Axial slice 28 of 53 of a contrast-enhanced abdominal CT in the arterial phase (slice 1 is the lowest), 120 kVp, kernel B30f; 3.00 mm slice thickness and 0.547 mm pixels.
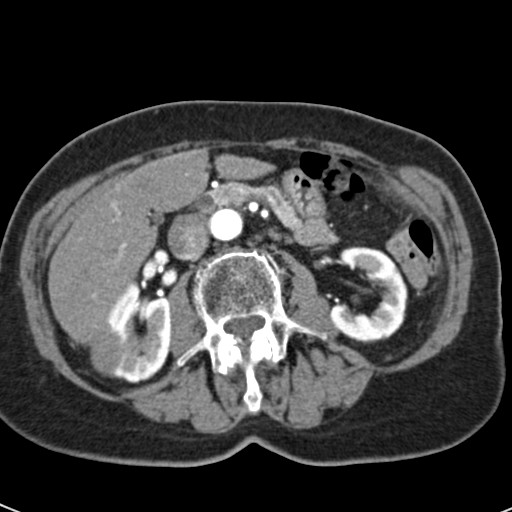
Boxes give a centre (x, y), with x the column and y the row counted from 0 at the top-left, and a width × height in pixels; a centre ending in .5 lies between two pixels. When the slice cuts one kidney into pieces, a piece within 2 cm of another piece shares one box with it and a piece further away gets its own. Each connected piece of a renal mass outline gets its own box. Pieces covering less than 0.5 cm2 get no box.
Three boxes on this slice (two kidney boxes and one renal mass box), listed by box centre from the image's left to its right. (1) Right renal mass in a box with centre (105.5, 348.5), 38 × 58 pixels (outlined area 1,602 px, about 4.8 cm2). (2) Right kidney in a box with centre (135, 331), 71 × 105 pixels (outlined area 4,369 px, about 13.1 cm2). (3) Box centre (367.5, 294.5), 80 × 98 pixels: left kidney (outlined area 4,709 px, about 14.1 cm2).